Abdominal CT with intravenous contrast, axial plane, 120 kVp, kernel FC18. Slice 69/103 from the bottom of the scan; thickness 3.00 mm; pixel size 0.714 mm.
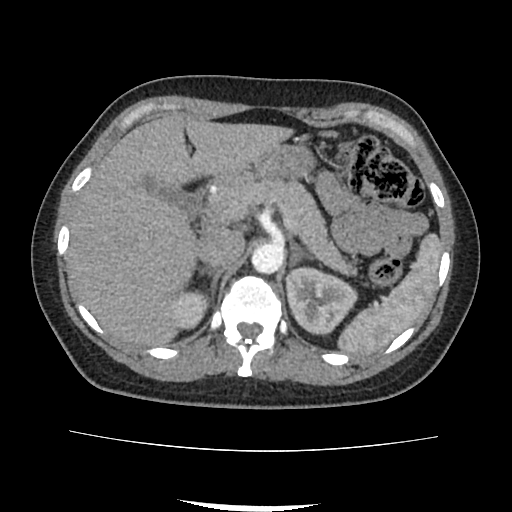
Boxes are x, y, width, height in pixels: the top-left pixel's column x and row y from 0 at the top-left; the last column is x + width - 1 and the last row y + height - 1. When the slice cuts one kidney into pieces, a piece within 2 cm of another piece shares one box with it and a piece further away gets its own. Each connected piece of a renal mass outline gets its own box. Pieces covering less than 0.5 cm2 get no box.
Two kidney boxes on this slice; by box centre, from the image's left to its right: (1) Right kidney, box x 167, y 289, width 42, height 41 (outlined area 1,276 px, about 6.5 cm2). (2) Left kidney, box x 285, y 266, width 73, height 71 (outlined area 3,648 px, about 18.6 cm2). No renal mass outline on this slice.